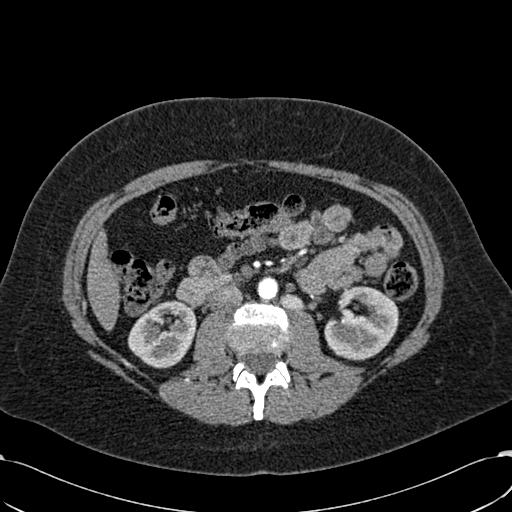
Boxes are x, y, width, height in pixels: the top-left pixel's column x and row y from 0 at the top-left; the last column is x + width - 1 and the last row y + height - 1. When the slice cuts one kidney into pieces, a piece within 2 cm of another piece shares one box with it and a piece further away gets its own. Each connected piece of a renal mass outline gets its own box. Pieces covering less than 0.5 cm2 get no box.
Arterial-phase contrast-enhanced abdominal CT, axial slice 322 of 532 (counted from the lowest slice); 1.00 mm thick, 0.713 mm per pixel. Two boxes on this slice (two kidney boxes), listed by box centre from the image's left to its right. (1) Right kidney at x 128, y 300, width 69, height 69 (outlined area 3,408 px, about 17.3 cm2). (2) Box x 324, y 286, width 75, height 75: left kidney (outlined area 3,985 px, about 20.3 cm2). No renal mass outline on this slice.
Tube voltage 120 kVp; convolution kernel B30f.